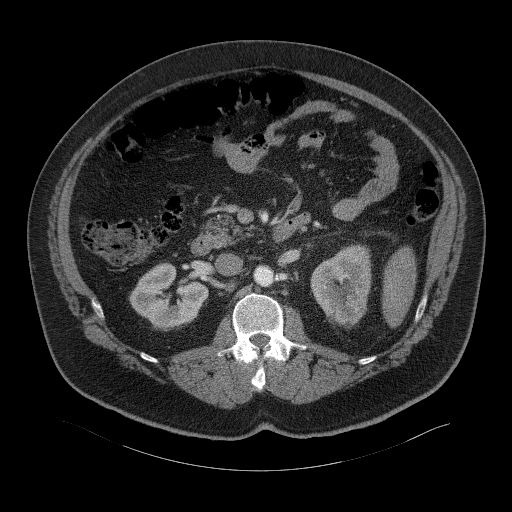
Contrast-enhanced abdominal CT, axial slice 32 of 94 (counted from the lowest slice); tube voltage 120 kVp, convolution kernel B41f; slices 3.00 mm thick, 0.977 mm per pixel.
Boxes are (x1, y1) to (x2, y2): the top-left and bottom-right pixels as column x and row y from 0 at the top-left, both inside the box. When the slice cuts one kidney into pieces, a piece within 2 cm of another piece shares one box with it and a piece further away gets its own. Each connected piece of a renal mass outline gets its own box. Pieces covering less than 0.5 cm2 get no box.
Two kidney boxes and one renal mass box on this slice; by box centre, from the image's left to its right: (1) Right renal mass from (152, 313) to (173, 331) (outlined area 326 px, about 3.1 cm2). (2) Box (129, 262) to (208, 328): right kidney (outlined area 3,160 px, about 30.1 cm2). (3) Left kidney from (310, 244) to (371, 328) (outlined area 3,790 px, about 36.1 cm2).